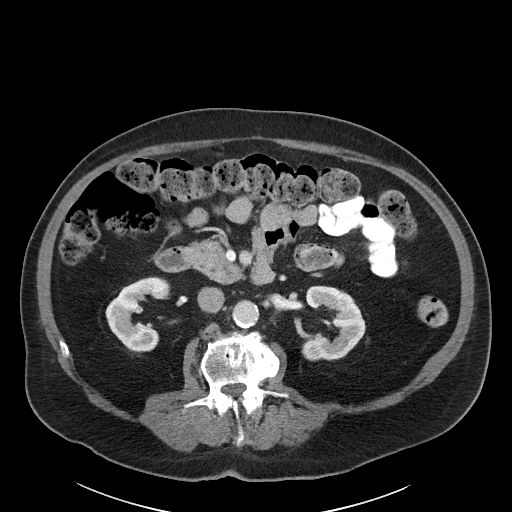
Arterial-phase contrast-enhanced abdominal CT, axial slice 59 of 89 (counted from the lowest slice); tube voltage 100 kVp, convolution kernel I40f; slices 5.00 mm thick, 0.885 mm per pixel.
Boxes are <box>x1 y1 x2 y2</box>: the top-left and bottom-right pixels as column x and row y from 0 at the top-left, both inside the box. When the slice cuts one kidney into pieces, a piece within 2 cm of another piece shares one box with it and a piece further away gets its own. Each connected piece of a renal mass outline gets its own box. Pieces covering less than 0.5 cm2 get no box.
Three boxes on this slice (two kidney boxes and one renal mass box), listed by box centre from the image's left to its right. (1) Right kidney: <box>105 276 170 352</box> (outlined area 2,878 px, about 22.5 cm2). (2) Left renal mass at <box>301 340 322 361</box> (outlined area 372 px, about 2.9 cm2). (3) At <box>301 285 365 360</box>: left kidney (outlined area 2,859 px, about 22.4 cm2).